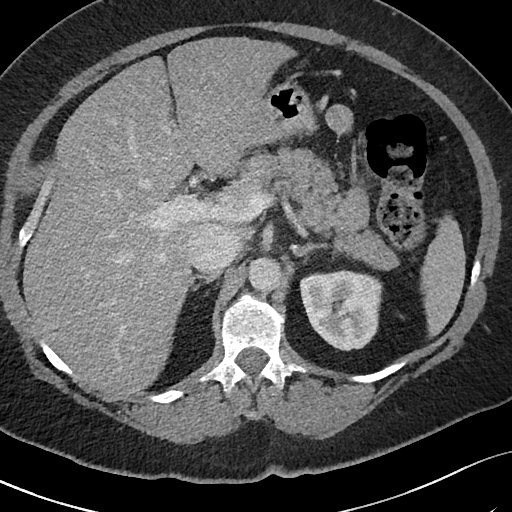
Abdominal CT with intravenous contrast, arterial phase, axial plane, 120 kVp, kernel I40f. Slice 57/69 from the bottom of the scan; thickness 3.00 mm; pixel size 0.664 mm.
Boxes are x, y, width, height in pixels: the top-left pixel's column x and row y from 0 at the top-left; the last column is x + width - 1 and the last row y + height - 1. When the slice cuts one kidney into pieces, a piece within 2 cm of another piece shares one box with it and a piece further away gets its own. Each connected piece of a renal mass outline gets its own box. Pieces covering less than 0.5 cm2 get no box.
Left kidney, box x 300, y 269, width 83, height 83 (outlined area 5,283 px, about 23.3 cm2). No renal mass is outlined on this slice.